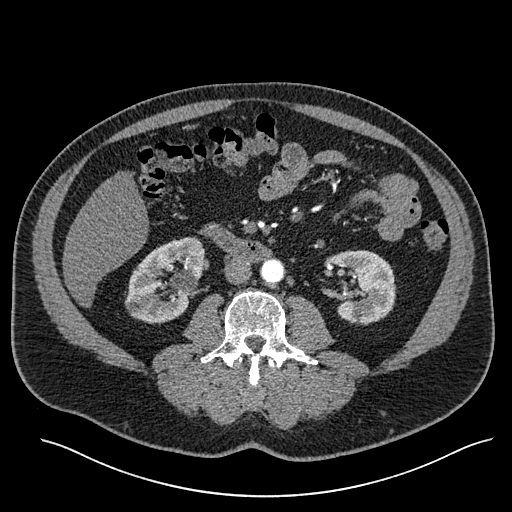
Abdominal CT with intravenous contrast, arterial phase, axial plane, 120 kVp, kernel I30f. Slice 275/527 from the bottom of the scan; thickness 1.00 mm; pixel size 0.859 mm.
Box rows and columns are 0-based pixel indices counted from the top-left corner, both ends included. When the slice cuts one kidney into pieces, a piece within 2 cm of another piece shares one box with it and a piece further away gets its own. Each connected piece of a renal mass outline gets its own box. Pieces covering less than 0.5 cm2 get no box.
Two boxes on this slice (two kidney boxes), listed by box centre from the image's left to its right. (1) Right kidney at rows 237–324, columns 124–203 (outlined area 4,772 px, about 35.2 cm2). (2) Left kidney at rows 250–325, columns 329–396 (outlined area 3,828 px, about 28.3 cm2). No renal mass is outlined on this slice.